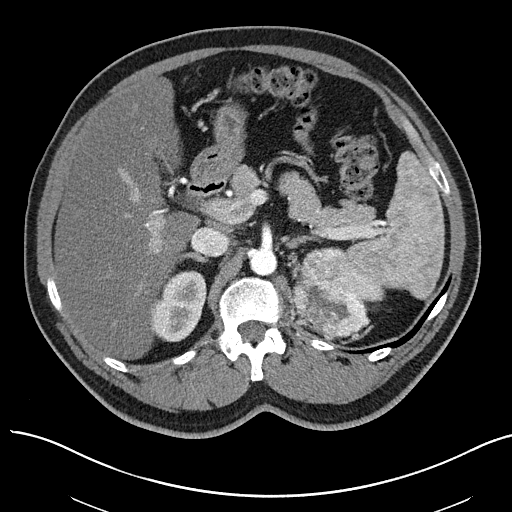
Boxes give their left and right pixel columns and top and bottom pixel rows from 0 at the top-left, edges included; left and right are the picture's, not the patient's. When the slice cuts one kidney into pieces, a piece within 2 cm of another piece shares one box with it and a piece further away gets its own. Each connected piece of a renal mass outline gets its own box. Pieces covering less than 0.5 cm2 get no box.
This is axial slice 50 of 97 (slice 1 is the lowest) of an arterial-phase abdominal CT with contrast; each pixel is 0.797 mm and the slice is 3.00 mm thick. Boxed on this slice (two kidney boxes and one renal mass box), listed by box centre from the image's left to its right: (1) Right kidney, the box with left 151, top 270, right 206, bottom 341 (outlined area 3,012 px, about 19.1 cm2). (2) Left renal mass, the box with left 290, top 247, right 373, bottom 340 (outlined area 5,398 px, about 34.3 cm2). (3) Left kidney in the box with left 353, top 263, right 382, bottom 302 (outlined area 446 px, about 2.8 cm2).
Scan settings: 100 kVp, I40f reconstruction kernel.